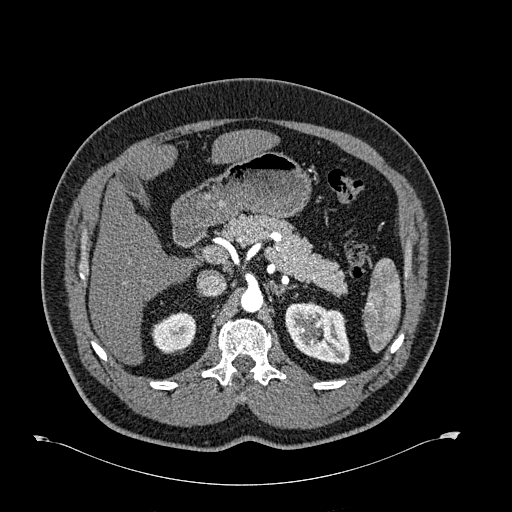
Axial slice 444 of 723 of a contrast-enhanced abdominal CT in the arterial phase (slice 1 is the lowest), 120 kVp, kernel B30f; 1.00 mm slice thickness and 0.895 mm pixels.
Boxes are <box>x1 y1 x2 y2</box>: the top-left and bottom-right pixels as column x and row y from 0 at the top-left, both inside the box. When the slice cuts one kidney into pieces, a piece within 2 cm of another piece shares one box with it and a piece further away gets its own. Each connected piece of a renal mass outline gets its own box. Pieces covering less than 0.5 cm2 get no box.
Two kidney boxes on this slice; by box centre, from the image's left to its right: (1) Right kidney at <box>151 311 196 354</box> (outlined area 1,466 px, about 11.7 cm2). (2) Left kidney at <box>285 302 349 364</box> (outlined area 3,066 px, about 24.5 cm2). No renal mass is outlined on this slice.